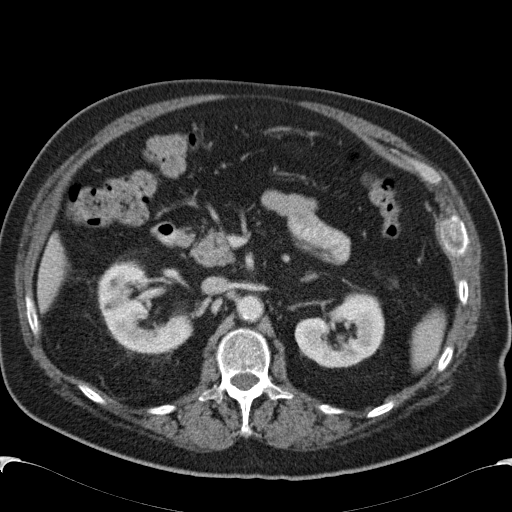
Axial slice 74 of 99 of a contrast-enhanced abdominal CT (slice 1 is the lowest), 120 kVp, kernel B31f; 5.00 mm slice thickness and 0.742 mm pixels.
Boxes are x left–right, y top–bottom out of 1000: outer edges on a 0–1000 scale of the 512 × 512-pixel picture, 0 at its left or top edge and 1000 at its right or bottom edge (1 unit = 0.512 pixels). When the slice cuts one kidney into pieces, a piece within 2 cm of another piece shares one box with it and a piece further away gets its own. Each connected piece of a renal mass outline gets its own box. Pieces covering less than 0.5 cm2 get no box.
Two boxes on this slice (two kidney boxes), listed by box centre from the image's left to its right. (1) Box x 189–379, y 508–693 out of 1000: right kidney (outlined area 5,612 px, about 30.9 cm2). (2) Left kidney, box x 574–752, y 570–721 out of 1000 (outlined area 4,775 px, about 26.3 cm2). No renal mass is outlined on this slice.